Arterial-phase contrast-enhanced abdominal CT, axial slice 338 of 673 (counted from the lowest slice); tube voltage 140 kVp, convolution kernel I30f; slices 1.00 mm thick, 0.957 mm per pixel.
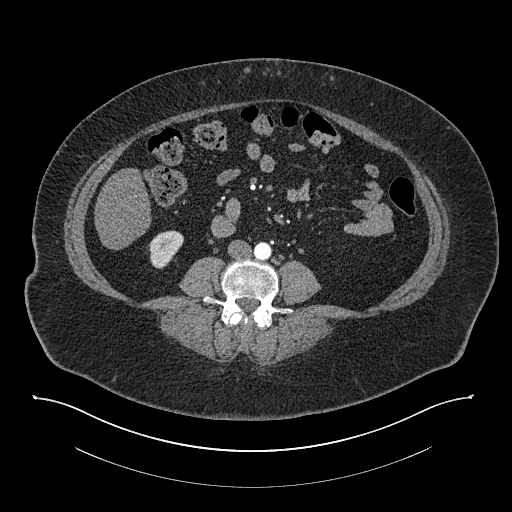
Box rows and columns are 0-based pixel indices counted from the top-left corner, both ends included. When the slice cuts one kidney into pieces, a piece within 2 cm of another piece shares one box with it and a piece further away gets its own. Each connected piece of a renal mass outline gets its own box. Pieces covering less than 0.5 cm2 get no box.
Right kidney at rows 230–268, columns 148–184 (outlined area 957 px, about 8.8 cm2). No renal mass outline on this slice.